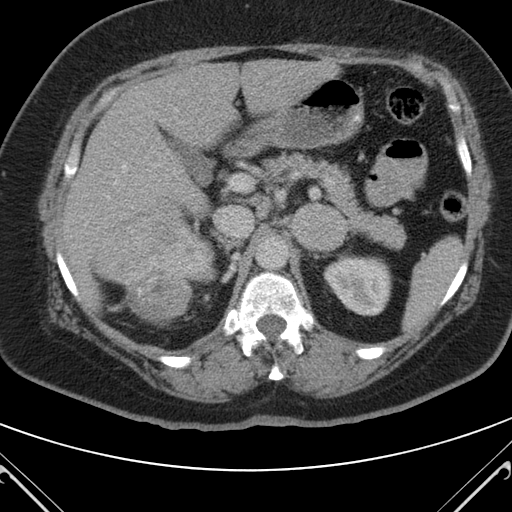
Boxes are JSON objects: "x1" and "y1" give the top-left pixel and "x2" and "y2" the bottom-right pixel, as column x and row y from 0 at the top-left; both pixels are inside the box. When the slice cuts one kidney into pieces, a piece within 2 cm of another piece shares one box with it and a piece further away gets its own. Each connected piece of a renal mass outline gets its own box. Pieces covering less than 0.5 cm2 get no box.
Slice 73/98 of a contrast-enhanced abdominal CT in the arterial phase, counting up from the lowest; pixel size 0.703 mm, slice thickness 5.00 mm. Boxed on this slice (one kidney box and one renal mass box), listed by box centre from the image's left to its right: (1) Right renal mass, box {"x1": 92, "y1": 207, "x2": 217, "y2": 323} (outlined area 9,685 px, about 47.9 cm2); it sits over 1 cm from every kidney outline on this slice, but the same outlined renal mass comes within 1 cm of the kidney on another slice. (2) Left kidney, box {"x1": 323, "y1": 254, "x2": 391, "y2": 315} (outlined area 3,184 px, about 15.7 cm2).
Tube voltage 120 kVp; convolution kernel B.